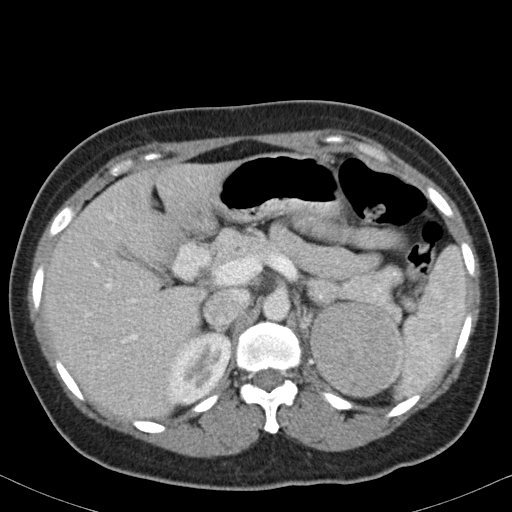
Arterial-phase contrast-enhanced abdominal CT, axial slice 68 of 82 (counted from the lowest slice); tube voltage 120 kVp, convolution kernel B31f; slices 5.00 mm thick, 0.625 mm per pixel.
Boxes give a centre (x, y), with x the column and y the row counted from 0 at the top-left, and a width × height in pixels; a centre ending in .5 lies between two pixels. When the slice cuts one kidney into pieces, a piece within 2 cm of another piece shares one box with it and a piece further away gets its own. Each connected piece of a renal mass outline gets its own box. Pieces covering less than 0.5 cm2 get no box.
Two boxes on this slice (one kidney box and one renal mass box), listed by box centre from the image's left to its right. (1) Box centre (198.5, 368.5), 68 × 74 pixels: right kidney (outlined area 3,604 px, about 14.1 cm2). (2) Left renal mass, box centre (357, 348.5), 97 × 98 pixels (outlined area 7,485 px, about 29.2 cm2); on this slice it lies more than 1 cm from any kidney outline, but the same outlined renal mass comes within 1 cm of the kidney on another slice.